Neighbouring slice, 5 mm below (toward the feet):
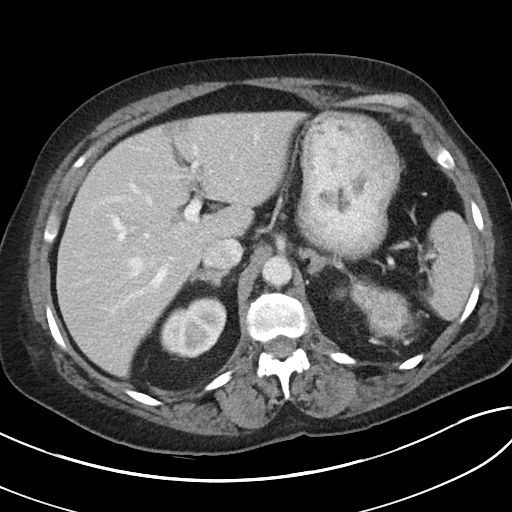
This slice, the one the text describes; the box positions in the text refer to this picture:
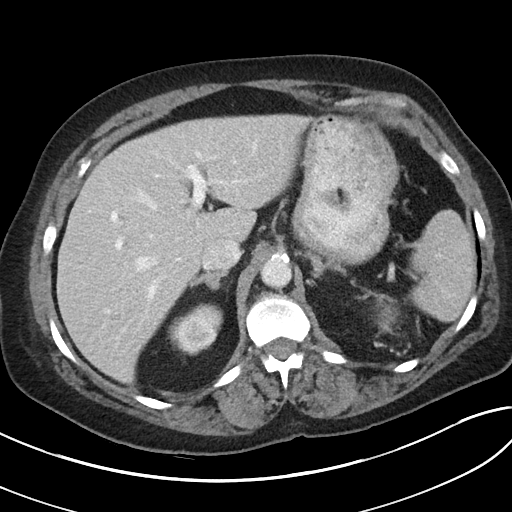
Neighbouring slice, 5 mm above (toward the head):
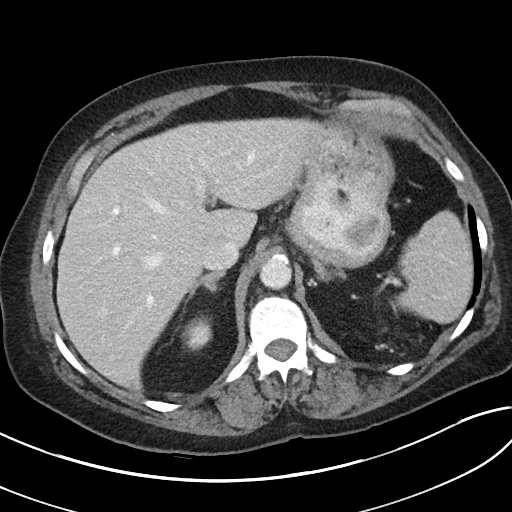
Axial slice 68 of 80 of a contrast-enhanced abdominal CT (slice 1 is the lowest), 100 kVp, kernel I40f; 5.00 mm slice thickness and 0.703 mm pixels.
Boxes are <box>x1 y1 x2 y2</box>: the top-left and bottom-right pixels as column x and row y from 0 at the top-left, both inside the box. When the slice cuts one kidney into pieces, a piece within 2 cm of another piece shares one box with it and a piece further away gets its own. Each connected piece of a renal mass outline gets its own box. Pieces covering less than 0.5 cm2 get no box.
One kidney box and one renal mass box on this slice; by box centre, from the image's left to its right: (1) Right kidney: <box>169 303 222 354</box> (outlined area 1,970 px, about 9.7 cm2). (2) Left renal mass at <box>374 295 399 334</box> (outlined area 751 px, about 3.7 cm2); on this slice it lies more than 1 cm from any kidney outline, but the same outlined renal mass comes within 1 cm of the kidney on another slice. This slice is near the end of the left renal mass toward the head, so the slices 5 mm below and 5 mm above it are shown as well; the boxes refer to this slice only.